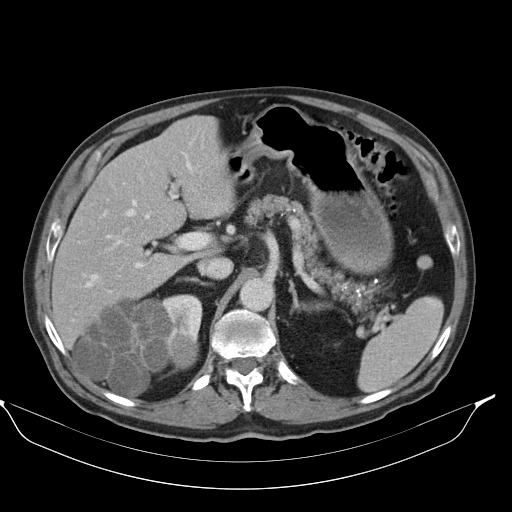
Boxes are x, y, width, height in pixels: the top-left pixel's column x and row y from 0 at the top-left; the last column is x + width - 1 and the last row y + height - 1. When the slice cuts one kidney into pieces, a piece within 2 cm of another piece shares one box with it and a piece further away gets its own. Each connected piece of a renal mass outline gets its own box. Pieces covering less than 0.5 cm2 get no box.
Contrast-enhanced abdominal CT, axial slice 69 of 98 (counted from the lowest slice); 5.00 mm thick, 0.840 mm per pixel. Two boxes on this slice (one kidney box and one renal mass box), listed by box centre from the image's left to its right. (1) Right renal mass at x 72, y 298, width 126, height 100 (outlined area 7,859 px, about 55.4 cm2). (2) Right kidney, box x 161, y 294, width 42, height 47 (outlined area 1,236 px, about 8.7 cm2).
Scan settings: 130 kVp, B30s reconstruction kernel.